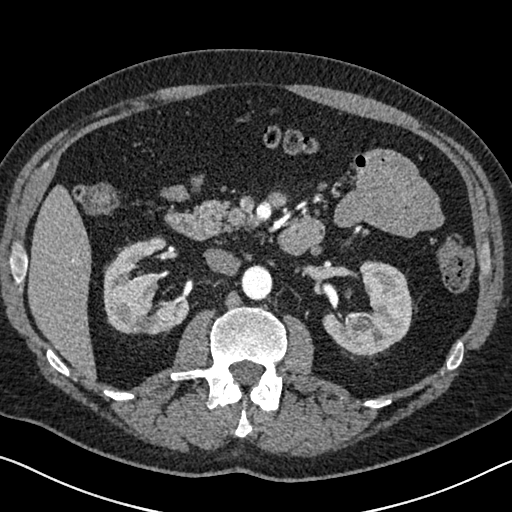
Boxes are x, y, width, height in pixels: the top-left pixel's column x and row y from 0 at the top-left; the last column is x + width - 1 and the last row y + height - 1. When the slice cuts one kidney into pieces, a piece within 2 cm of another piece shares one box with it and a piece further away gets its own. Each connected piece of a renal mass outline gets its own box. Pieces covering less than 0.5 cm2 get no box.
Arterial-phase contrast-enhanced abdominal CT, axial slice 400 of 626 (counted from the lowest slice); 1.00 mm thick, 0.703 mm per pixel. Two boxes on this slice (two kidney boxes), listed by box centre from the image's left to its right. (1) Right kidney, box x 103, y 236, width 87, height 99 (outlined area 5,474 px, about 27.1 cm2). (2) Box x 322, y 260, width 93, height 97: left kidney (outlined area 5,200 px, about 25.7 cm2). This slice carries no renal mass outline.
Scan settings: 120 kVp, I30f reconstruction kernel.